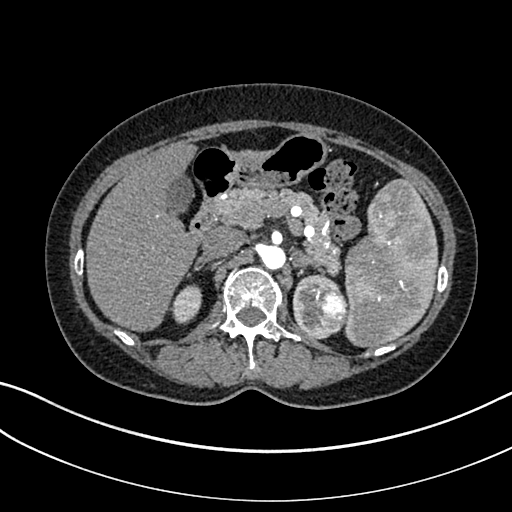
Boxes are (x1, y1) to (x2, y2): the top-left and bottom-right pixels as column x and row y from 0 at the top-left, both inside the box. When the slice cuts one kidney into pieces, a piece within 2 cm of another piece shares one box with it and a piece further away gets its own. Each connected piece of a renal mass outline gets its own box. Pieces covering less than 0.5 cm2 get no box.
Slice 224/325 of a contrast-enhanced abdominal CT in the arterial phase, counting up from the lowest; pixel size 0.703 mm, slice thickness 1.00 mm. Three boxes on this slice (two kidney boxes and one renal mass box), listed by box centre from the image's left to its right. (1) Right kidney from (169, 284) to (202, 323) (outlined area 894 px, about 4.4 cm2). (2) Left kidney, box (292, 274) to (339, 339) (outlined area 1,572 px, about 7.8 cm2). (3) Left renal mass, box (312, 289) to (347, 333) (outlined area 1,259 px, about 6.2 cm2).
Tube voltage 100 kVp; convolution kernel I30f.